Axial slice 684 of 987 of a contrast-enhanced abdominal CT in the arterial phase (slice 1 is the lowest), 120 kVp, kernel I26f; 1.00 mm slice thickness and 0.977 mm pixels.
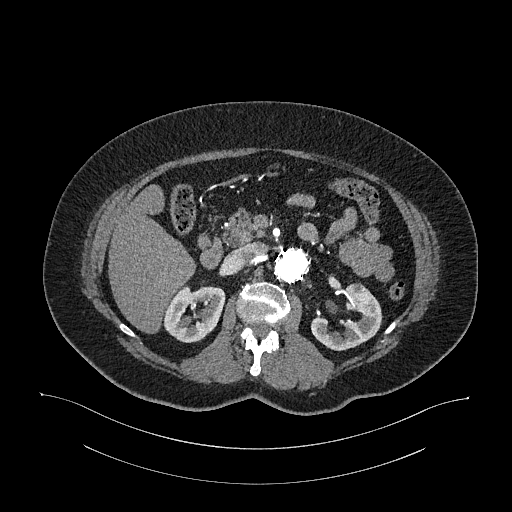
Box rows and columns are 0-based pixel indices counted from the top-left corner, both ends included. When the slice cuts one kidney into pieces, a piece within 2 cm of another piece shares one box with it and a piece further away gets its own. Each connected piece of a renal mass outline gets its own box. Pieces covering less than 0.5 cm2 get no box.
Two boxes on this slice (two kidney boxes), listed by box centre from the image's left to its right. (1) Right kidney, box rows 286–342, columns 164–225 (outlined area 2,565 px, about 24.5 cm2). (2) Left kidney, box rows 283–351, columns 311–382 (outlined area 2,778 px, about 26.5 cm2). No renal mass is outlined on this slice.